One axial slice (384 of 723, counting up from the lowest) of an arterial-phase abdominal CT acquired with 120 kVp, kernel B30f; each pixel is 0.895 mm and the slice is 1.00 mm thick.
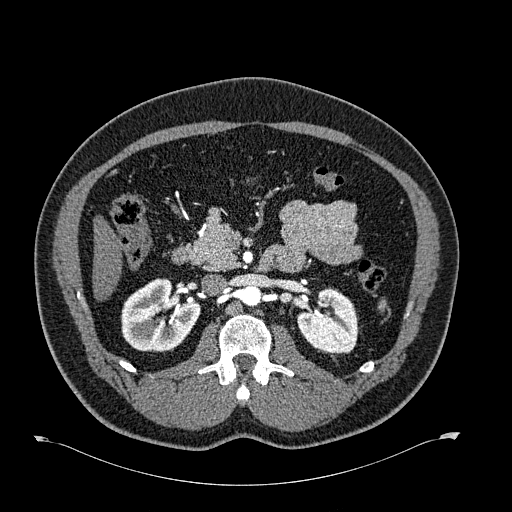
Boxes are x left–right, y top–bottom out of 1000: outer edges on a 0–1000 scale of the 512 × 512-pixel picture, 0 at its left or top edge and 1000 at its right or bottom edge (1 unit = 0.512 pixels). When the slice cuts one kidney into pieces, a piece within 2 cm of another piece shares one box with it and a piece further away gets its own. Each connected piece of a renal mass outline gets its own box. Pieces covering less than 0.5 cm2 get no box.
Two kidney boxes on this slice; by box centre, from the image's left to its right: (1) Box x 236–393, y 543–688 out of 1000: right kidney (outlined area 4,322 px, about 34.6 cm2). (2) Left kidney, box x 580–701, y 561–693 out of 1000 (outlined area 3,029 px, about 24.2 cm2). No renal mass outline on this slice.